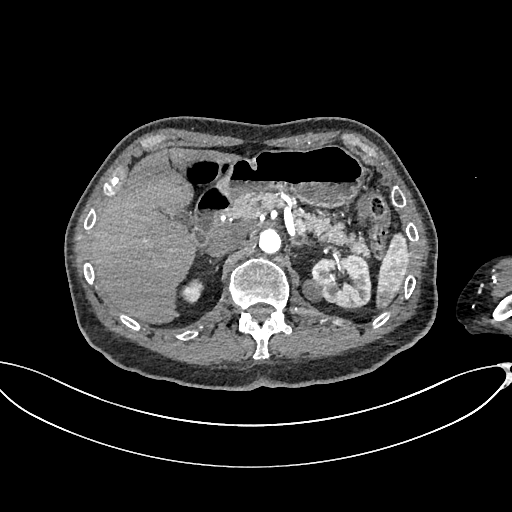
Arterial-phase contrast-enhanced abdominal CT, axial slice 458 of 665 (counted from the lowest slice); tube voltage 100 kVp, convolution kernel I26f; slices 1.00 mm thick, 0.828 mm per pixel.
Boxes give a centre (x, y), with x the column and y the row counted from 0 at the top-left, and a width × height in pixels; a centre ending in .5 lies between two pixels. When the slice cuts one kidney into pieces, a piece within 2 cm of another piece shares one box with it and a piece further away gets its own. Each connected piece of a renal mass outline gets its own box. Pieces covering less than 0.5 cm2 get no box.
Boxed on this slice (two kidney boxes and one renal mass box), listed by box centre from the image's left to its right: (1) Right kidney, box centre (191, 290.5), 25 × 26 pixels (outlined area 418 px, about 2.9 cm2). (2) Left renal mass, box centre (312, 289.5), 21 × 24 pixels (outlined area 361 px, about 2.5 cm2). (3) Left kidney, box centre (341, 281), 61 × 55 pixels (outlined area 2,525 px, about 17.3 cm2).